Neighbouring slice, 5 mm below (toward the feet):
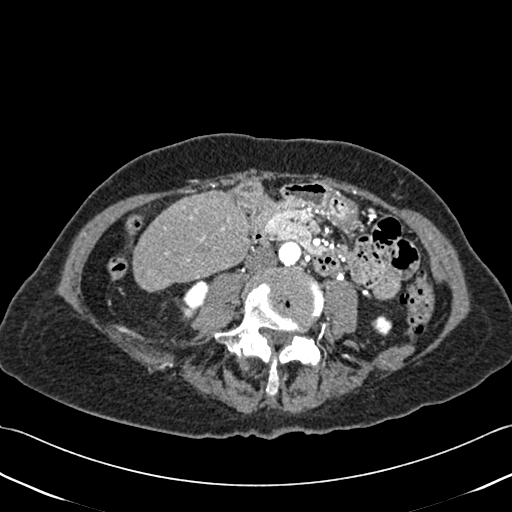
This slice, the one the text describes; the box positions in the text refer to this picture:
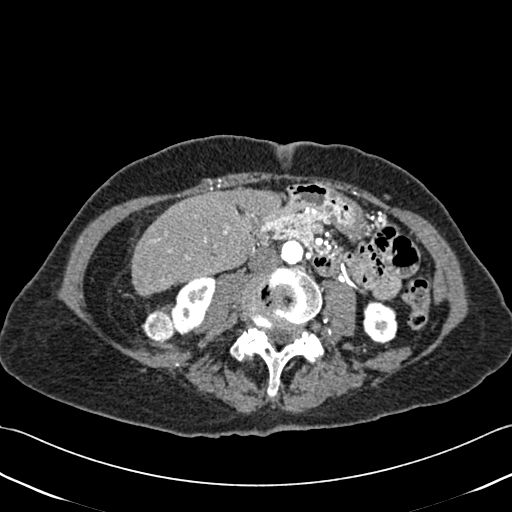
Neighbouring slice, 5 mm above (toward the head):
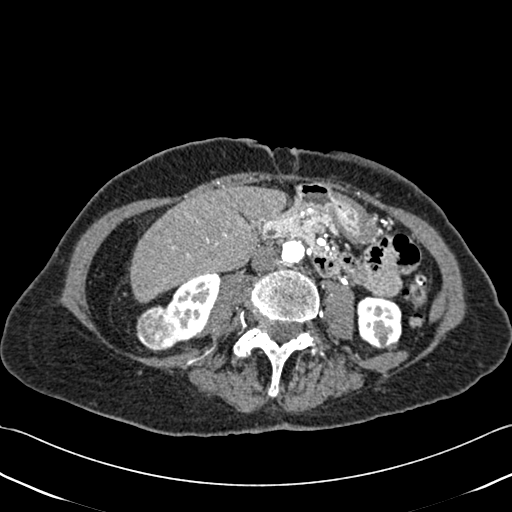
Abdominal CT with intravenous contrast, axial plane, 120 kVp, kernel B30f. Slice 173/433 from the bottom of the scan; thickness 1.00 mm; pixel size 0.672 mm.
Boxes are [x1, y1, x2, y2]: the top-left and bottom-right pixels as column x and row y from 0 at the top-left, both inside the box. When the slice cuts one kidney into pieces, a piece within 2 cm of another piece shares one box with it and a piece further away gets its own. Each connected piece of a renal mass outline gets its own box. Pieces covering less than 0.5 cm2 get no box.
Three boxes on this slice (two kidney boxes and one renal mass box), listed by box centre from the image's left to its right. (1) Right renal mass at [141, 309, 173, 342] (outlined area 790 px, about 3.6 cm2). (2) Right kidney, box [170, 276, 214, 335] (outlined area 1,718 px, about 7.8 cm2). (3) Left kidney, box [363, 301, 397, 343] (outlined area 1,213 px, about 5.5 cm2). This slice lies near the end of the right renal mass toward the feet; the slices 5 mm below and 5 mm above it are shown too, and the boxes mark positions on this slice only.